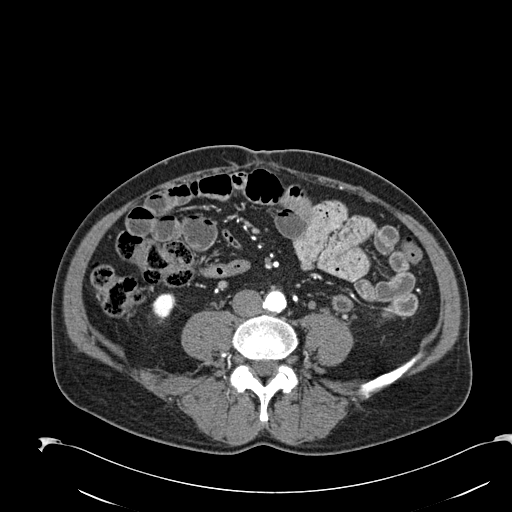
Abdominal CT with intravenous contrast, arterial phase, axial plane, 120 kVp, kernel B30f. Slice 40/274 from the bottom of the scan; thickness 2.00 mm; pixel size 0.809 mm.
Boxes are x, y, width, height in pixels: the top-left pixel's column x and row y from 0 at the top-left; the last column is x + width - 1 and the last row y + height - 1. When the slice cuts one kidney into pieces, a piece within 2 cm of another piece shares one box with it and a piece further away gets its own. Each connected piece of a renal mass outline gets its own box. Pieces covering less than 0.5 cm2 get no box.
Right kidney at x 151, y 292, width 26, height 30 (outlined area 522 px, about 3.4 cm2). No renal mass is outlined on this slice.